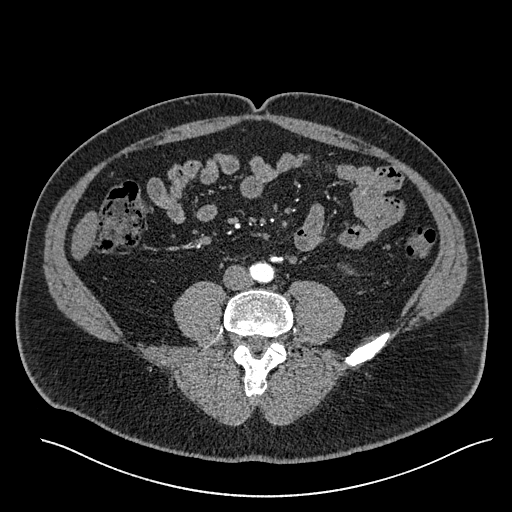
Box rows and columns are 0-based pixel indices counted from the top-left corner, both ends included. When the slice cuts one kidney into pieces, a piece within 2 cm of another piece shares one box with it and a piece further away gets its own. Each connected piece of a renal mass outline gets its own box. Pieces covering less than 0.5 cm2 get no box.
Slice 177/527 of a contrast-enhanced abdominal CT in the arterial phase, counting up from the lowest; pixel size 0.859 mm, slice thickness 1.00 mm. Left kidney, box rows 265–274, columns 341–353 (outlined area 71 px, about 0.5 cm2). This slice carries no renal mass outline.
Tube voltage 120 kVp; convolution kernel I30f.